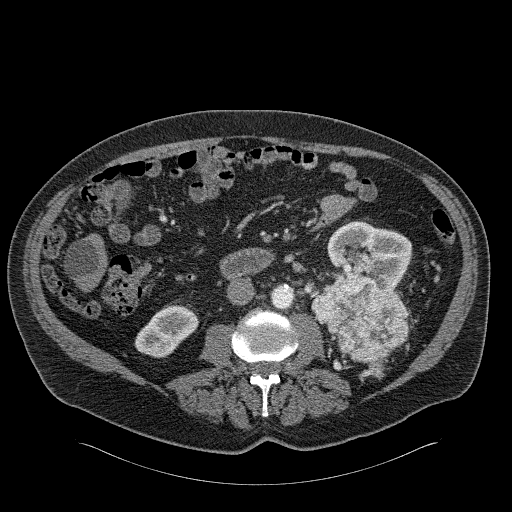
Arterial-phase contrast-enhanced abdominal CT, axial slice 95 of 326 (counted from the lowest slice); tube voltage 120 kVp, convolution kernel B31f; slices 2.00 mm thick, 0.963 mm per pixel.
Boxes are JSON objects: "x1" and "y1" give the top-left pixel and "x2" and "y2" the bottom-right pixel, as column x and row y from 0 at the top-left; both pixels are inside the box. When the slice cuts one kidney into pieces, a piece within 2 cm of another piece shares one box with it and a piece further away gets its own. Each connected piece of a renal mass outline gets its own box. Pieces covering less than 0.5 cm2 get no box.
Two kidney boxes and one renal mass box on this slice; by box centre, from the image's left to its right: (1) Right kidney, box {"x1": 134, "y1": 304, "x2": 198, "y2": 357} (outlined area 2,226 px, about 20.6 cm2). (2) Left renal mass, box {"x1": 310, "y1": 277, "x2": 408, "y2": 375} (outlined area 6,085 px, about 56.4 cm2). (3) Left kidney at {"x1": 312, "y1": 220, "x2": 412, "y2": 297} (outlined area 4,619 px, about 42.8 cm2).